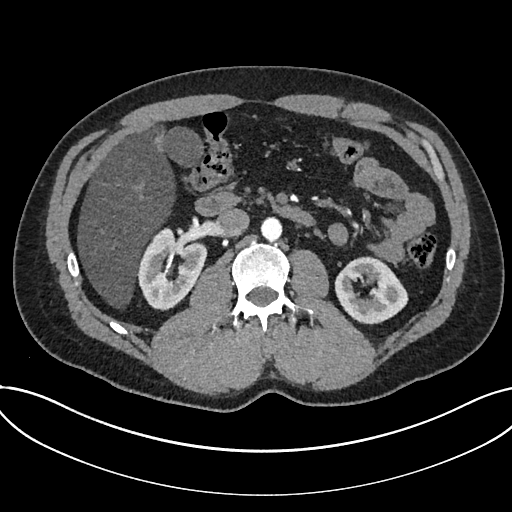
One axial slice (412 of 735, counting up from the lowest) of an arterial-phase abdominal CT acquired with 120 kVp, kernel I30f; each pixel is 0.789 mm and the slice is 1.00 mm thick.
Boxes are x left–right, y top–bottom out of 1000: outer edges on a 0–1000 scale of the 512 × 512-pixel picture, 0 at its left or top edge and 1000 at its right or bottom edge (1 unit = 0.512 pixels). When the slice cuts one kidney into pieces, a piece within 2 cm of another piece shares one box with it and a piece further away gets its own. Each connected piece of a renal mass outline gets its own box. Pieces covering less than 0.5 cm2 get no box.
Boxed on this slice (two kidney boxes), listed by box centre from the image's left to its right: (1) Kidney, box x 268–404, y 443–607 out of 1000 (outlined area 3,978 px, about 24.8 cm2). (2) Kidney, box x 652–799, y 500–635 out of 1000 (outlined area 3,493 px, about 21.7 cm2). No renal mass is outlined on this slice.